Axial slice 55 of 98 of a contrast-enhanced abdominal CT in the arterial phase (slice 1 is the lowest), 120 kVp, kernel B31f; 5.00 mm slice thickness and 0.764 mm pixels.
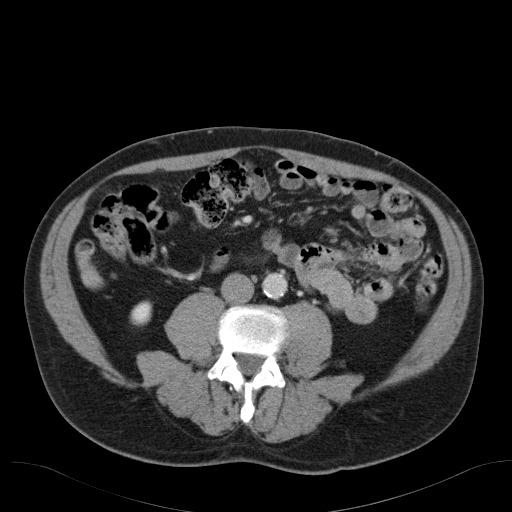
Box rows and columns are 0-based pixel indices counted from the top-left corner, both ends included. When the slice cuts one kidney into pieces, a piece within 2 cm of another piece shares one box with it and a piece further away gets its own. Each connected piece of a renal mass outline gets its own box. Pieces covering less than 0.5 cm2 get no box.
Right kidney at rows 300–325, columns 130–151 (outlined area 445 px, about 2.6 cm2). No renal mass outline on this slice.